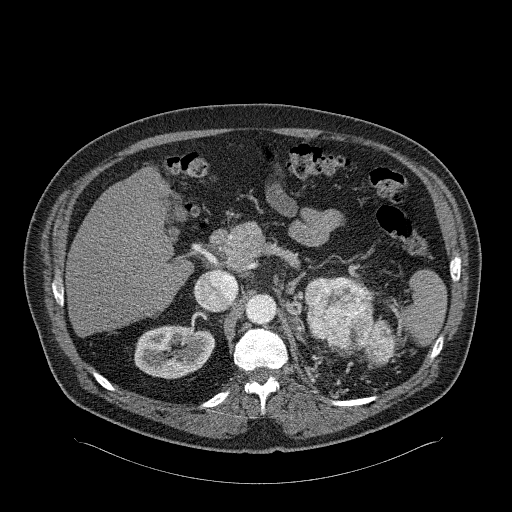
Abdominal CT with intravenous contrast, arterial phase, axial plane, 120 kVp, kernel B31f. Slice 172/326 from the bottom of the scan; thickness 2.00 mm; pixel size 0.963 mm.
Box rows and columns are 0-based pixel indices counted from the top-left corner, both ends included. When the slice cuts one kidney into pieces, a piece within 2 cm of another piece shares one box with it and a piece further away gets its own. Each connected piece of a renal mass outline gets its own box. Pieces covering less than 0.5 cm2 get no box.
Two kidney boxes and one renal mass box on this slice; by box centre, from the image's left to its right: (1) Right kidney, box rows 325–378, columns 134–213 (outlined area 3,403 px, about 31.6 cm2). (2) Left kidney, box rows 277–307, columns 304–330 (outlined area 295 px, about 2.7 cm2). (3) Box rows 277–366, columns 306–405: left renal mass (outlined area 5,315 px, about 49.3 cm2).